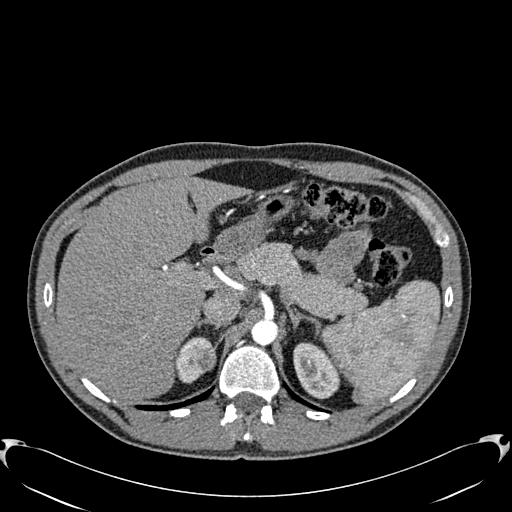
Arterial-phase contrast-enhanced abdominal CT, axial slice 441 of 512 (counted from the lowest slice); tube voltage 120 kVp, convolution kernel B30f; slices 1.00 mm thick, 0.771 mm per pixel.
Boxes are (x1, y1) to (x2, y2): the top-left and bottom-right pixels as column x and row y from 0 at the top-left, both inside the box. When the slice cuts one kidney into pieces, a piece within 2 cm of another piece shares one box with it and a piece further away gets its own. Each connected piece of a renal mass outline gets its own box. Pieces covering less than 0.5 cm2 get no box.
Three boxes on this slice (two kidney boxes and one renal mass box), listed by box centre from the image's left to its right. (1) Right kidney from (175, 337) to (212, 383) (outlined area 982 px, about 5.8 cm2). (2) Box (195, 349) to (215, 371): right renal mass (outlined area 366 px, about 2.2 cm2). (3) Left kidney, box (293, 342) to (340, 399) (outlined area 1,957 px, about 11.6 cm2).